Abdominal CT with intravenous contrast, axial plane, 120 kVp, kernel FC13. Slice 74/159 from the bottom of the scan; thickness 3.00 mm; pixel size 0.668 mm.
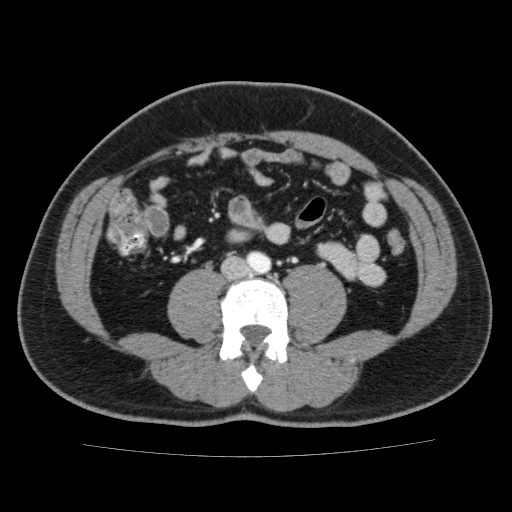
Outside the outlined region: no kidney outline and no renal mass outline on this slice. The scan's outlines cover only kidneys and renal masses; no other organ is outlined.